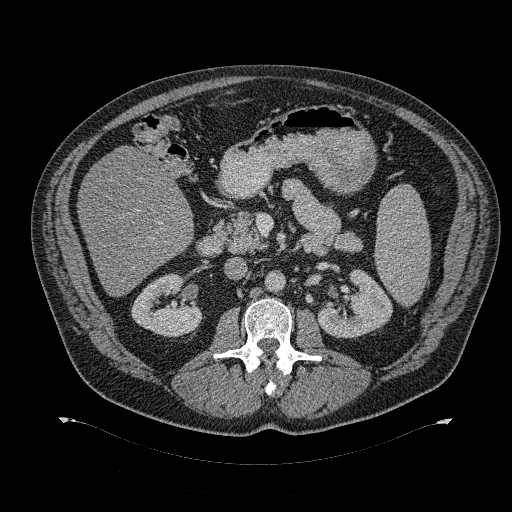
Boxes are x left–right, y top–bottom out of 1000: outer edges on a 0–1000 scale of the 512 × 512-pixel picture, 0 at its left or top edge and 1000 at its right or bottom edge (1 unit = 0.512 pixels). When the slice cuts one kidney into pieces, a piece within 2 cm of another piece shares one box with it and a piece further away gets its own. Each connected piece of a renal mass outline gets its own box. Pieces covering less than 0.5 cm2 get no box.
This is axial slice 186 of 274 (slice 1 is the lowest) of an abdominal CT with contrast; each pixel is 0.977 mm and the slice is 2.00 mm thick. Boxed on this slice (two kidney boxes), listed by box centre from the image's left to its right: (1) Right kidney, box x 256–398, y 535–660 out of 1000 (outlined area 3,116 px, about 29.7 cm2). (2) Box x 621–768, y 527–662 out of 1000: left kidney (outlined area 3,358 px, about 32.0 cm2). No renal mass outline on this slice.
Acquired at 120 kVp and reconstructed with the B31f kernel.